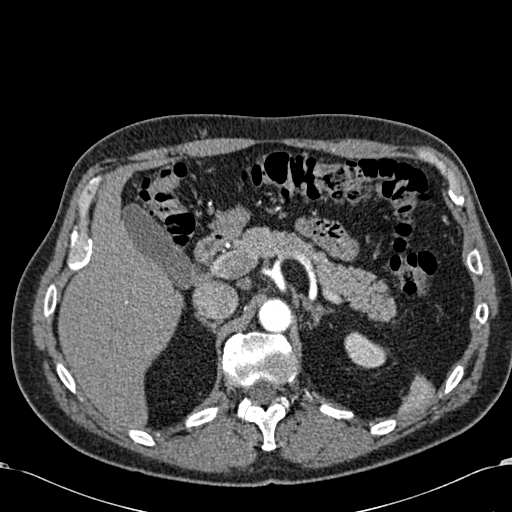
Abdominal CT with intravenous contrast, arterial phase, axial plane, 120 kVp, kernel B30f. Slice 445/581 from the bottom of the scan; thickness 1.00 mm; pixel size 0.713 mm.
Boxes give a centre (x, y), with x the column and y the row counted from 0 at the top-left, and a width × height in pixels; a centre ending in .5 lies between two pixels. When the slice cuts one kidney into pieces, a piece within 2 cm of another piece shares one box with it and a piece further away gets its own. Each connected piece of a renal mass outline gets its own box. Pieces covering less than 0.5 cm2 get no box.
Box centre (365, 349.5), 43 × 38 pixels: left kidney (outlined area 1,083 px, about 5.5 cm2). No renal mass is outlined on this slice.